Axial slice 73 of 195 of a contrast-enhanced abdominal CT in the arterial phase (slice 1 is the lowest), 100 kVp, kernel I31f; 1.50 mm slice thickness and 0.707 mm pixels.
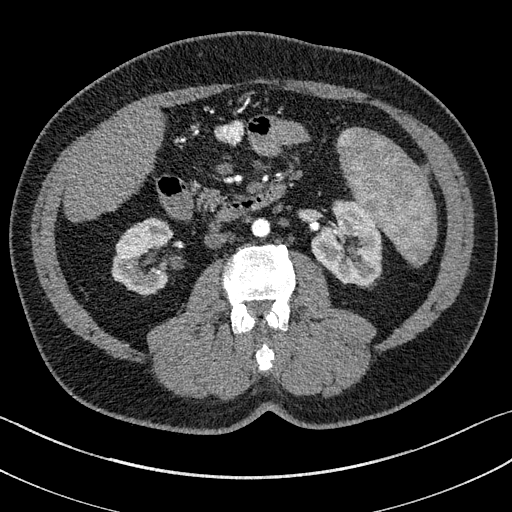
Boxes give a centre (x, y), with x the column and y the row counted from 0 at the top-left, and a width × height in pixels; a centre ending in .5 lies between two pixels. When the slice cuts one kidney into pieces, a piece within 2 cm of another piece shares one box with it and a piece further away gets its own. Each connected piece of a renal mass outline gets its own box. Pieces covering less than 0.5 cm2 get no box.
Two kidney boxes on this slice; by box centre, from the image's left to its right: (1) Right kidney in a box with centre (142, 256.5), 61 × 78 pixels (outlined area 3,218 px, about 16.1 cm2). (2) Left kidney in a box with centre (346, 243), 71 × 87 pixels (outlined area 4,375 px, about 21.9 cm2). This slice carries no renal mass outline.